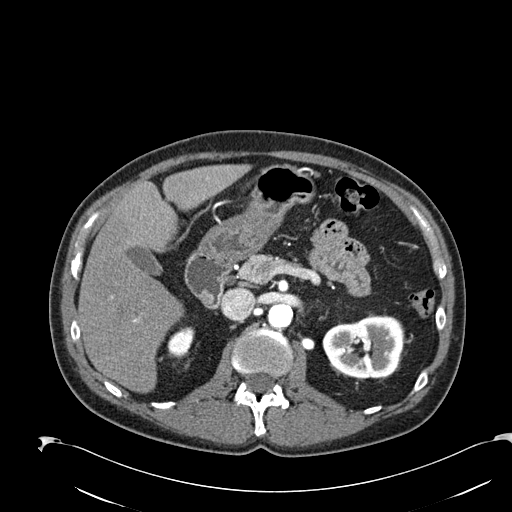
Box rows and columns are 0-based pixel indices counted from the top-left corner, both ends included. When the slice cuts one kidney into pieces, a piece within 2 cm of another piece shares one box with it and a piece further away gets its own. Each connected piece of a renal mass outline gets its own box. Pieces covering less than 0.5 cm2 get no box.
Slice 140/274 of a contrast-enhanced abdominal CT in the arterial phase, counting up from the lowest; pixel size 0.809 mm, slice thickness 2.00 mm. Two kidney boxes on this slice; by box centre, from the image's left to its right: (1) Right kidney at rows 326–358, columns 167–194 (outlined area 646 px, about 4.2 cm2). (2) Box rows 314–378, columns 322–404: left kidney (outlined area 4,152 px, about 27.1 cm2). This slice carries no renal mass outline.
Tube voltage 120 kVp; convolution kernel B30f.